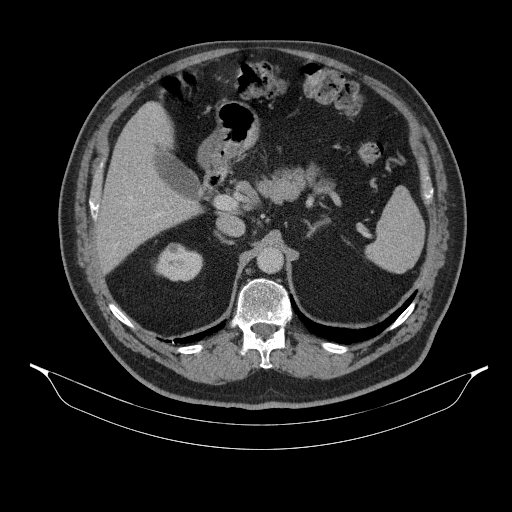
Abdominal CT with intravenous contrast, axial plane, 130 kVp, kernel B31s. Slice 233/314 from the bottom of the scan; thickness 2.50 mm; pixel size 0.934 mm.
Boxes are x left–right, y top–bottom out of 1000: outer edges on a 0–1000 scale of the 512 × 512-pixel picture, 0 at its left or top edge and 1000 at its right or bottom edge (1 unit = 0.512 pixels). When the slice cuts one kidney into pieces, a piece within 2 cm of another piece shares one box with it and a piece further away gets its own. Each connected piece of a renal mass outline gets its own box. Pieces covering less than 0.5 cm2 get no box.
Right kidney, box x 299–398, y 475–551 out of 1000 (outlined area 1,418 px, about 12.4 cm2). No renal mass is outlined on this slice.